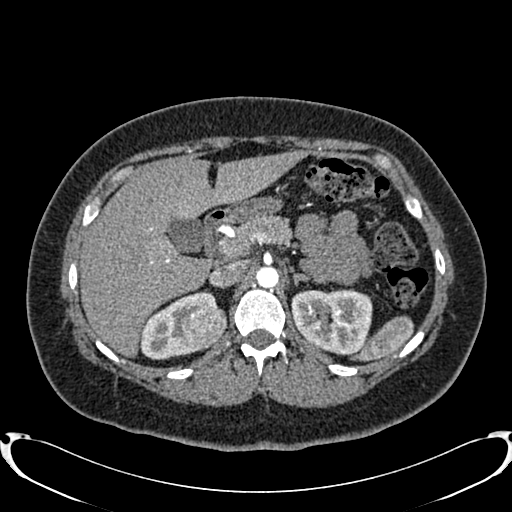
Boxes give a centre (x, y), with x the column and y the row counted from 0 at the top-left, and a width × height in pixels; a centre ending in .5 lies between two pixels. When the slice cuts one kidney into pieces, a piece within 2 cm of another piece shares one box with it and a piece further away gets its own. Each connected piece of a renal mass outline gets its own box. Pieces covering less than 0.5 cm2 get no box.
Slice 552/719 of a contrast-enhanced abdominal CT in the arterial phase, counting up from the lowest; pixel size 0.766 mm, slice thickness 1.00 mm. Three boxes on this slice (two kidney boxes and one renal mass box), listed by box centre from the image's left to its right. (1) Box centre (179, 324.5), 81 × 70 pixels: right kidney (outlined area 2,863 px, about 16.8 cm2). (2) Right renal mass in a box with centre (203.5, 326.5), 46 × 40 pixels (outlined area 1,374 px, about 8.1 cm2). (3) Left kidney in a box with centre (331.5, 322), 82 × 67 pixels (outlined area 4,317 px, about 25.3 cm2).
Tube voltage 120 kVp; convolution kernel B20f.